Axial slice 437 of 673 of a contrast-enhanced abdominal CT in the arterial phase (slice 1 is the lowest), 120 kVp, kernel I30f; 1.00 mm slice thickness and 0.855 mm pixels.
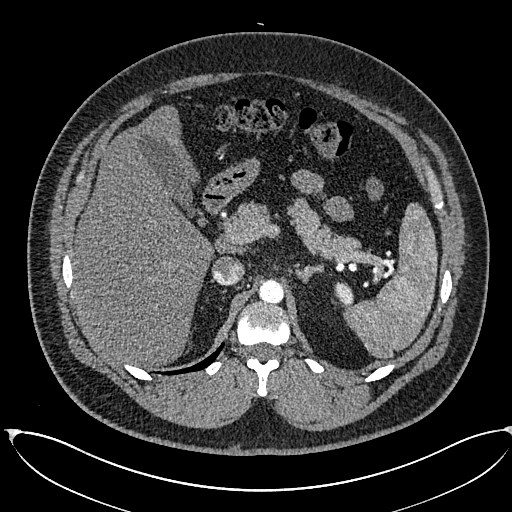
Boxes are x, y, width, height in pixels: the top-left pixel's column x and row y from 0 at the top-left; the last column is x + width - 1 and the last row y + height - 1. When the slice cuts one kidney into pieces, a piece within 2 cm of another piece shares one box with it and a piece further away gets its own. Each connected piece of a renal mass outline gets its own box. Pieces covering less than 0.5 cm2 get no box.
Box x 334, y 282, width 20, height 23: left kidney (outlined area 336 px, about 2.5 cm2). No renal mass outline on this slice.